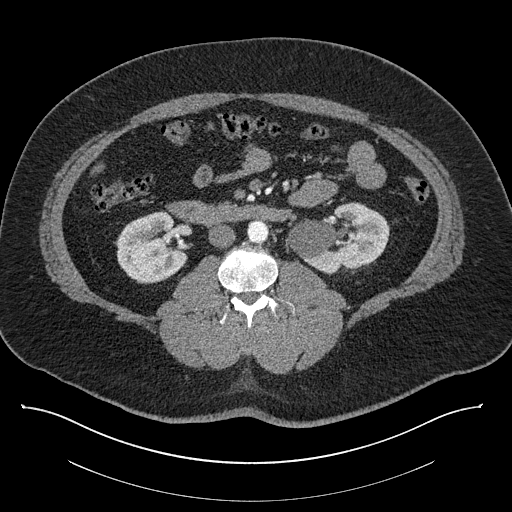
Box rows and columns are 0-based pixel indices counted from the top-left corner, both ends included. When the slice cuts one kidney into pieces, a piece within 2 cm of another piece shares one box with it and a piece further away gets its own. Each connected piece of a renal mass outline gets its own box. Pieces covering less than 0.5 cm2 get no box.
Slice 450/787 of a contrast-enhanced abdominal CT, counting up from the lowest; pixel size 0.910 mm, slice thickness 1.00 mm. Boxed on this slice (two kidney boxes), listed by box centre from the image's left to its right: (1) Right kidney at rows 211–282, columns 115–187 (outlined area 3,846 px, about 31.9 cm2). (2) Left kidney, box rows 202–272, columns 285–389 (outlined area 5,047 px, about 41.8 cm2). No renal mass is outlined on this slice.
Acquired at 140 kVp and reconstructed with the I30f kernel.